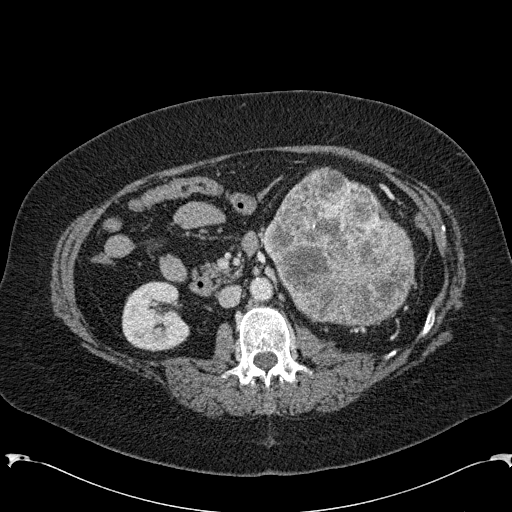
One axial slice (120 of 285, counting up from the lowest) of an arterial-phase abdominal CT acquired with 120 kVp, kernel B31f; each pixel is 0.762 mm and the slice is 2.00 mm thick.
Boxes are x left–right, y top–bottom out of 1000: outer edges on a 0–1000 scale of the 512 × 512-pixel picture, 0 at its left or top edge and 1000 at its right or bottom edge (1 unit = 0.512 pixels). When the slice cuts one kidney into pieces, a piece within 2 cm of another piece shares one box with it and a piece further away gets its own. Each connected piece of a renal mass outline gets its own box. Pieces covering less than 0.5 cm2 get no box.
Boxed on this slice (one kidney box and one renal mass box), listed by box centre from the image's left to its right: (1) Right kidney at x 238–373, y 549–688 out of 1000 (outlined area 3,727 px, about 21.6 cm2). (2) Left renal mass, box x 512–813, y 326–639 out of 1000 (outlined area 17,414 px, about 101.0 cm2); on this slice it lies more than 1 cm from any kidney outline, but the same outlined renal mass comes within 1 cm of the kidney on another slice.